Abdominal CT with intravenous contrast, arterial phase, axial plane, 120 kVp, kernel B30f. Slice 167/274 from the bottom of the scan; thickness 2.00 mm; pixel size 0.809 mm.
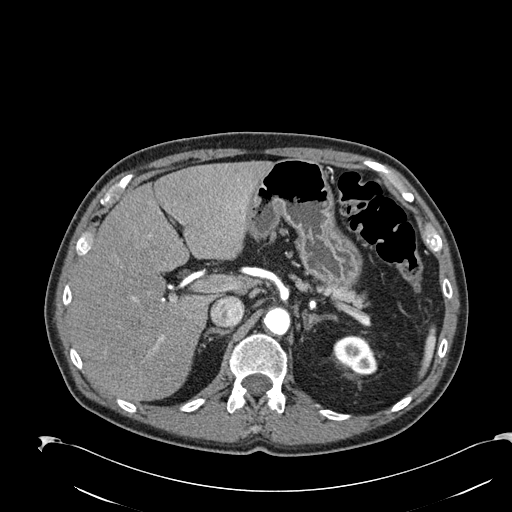
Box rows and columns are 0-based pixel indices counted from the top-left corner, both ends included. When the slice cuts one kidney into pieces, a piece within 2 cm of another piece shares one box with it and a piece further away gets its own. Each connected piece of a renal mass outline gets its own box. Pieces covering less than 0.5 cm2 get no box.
Box rows 335–375, columns 333–377: left kidney (outlined area 1,251 px, about 8.2 cm2). No renal mass outline on this slice.